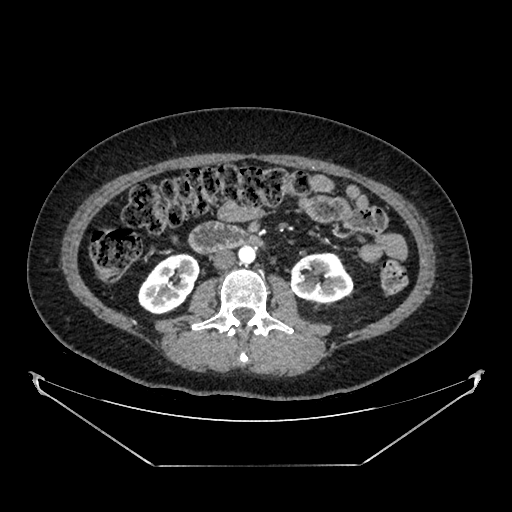
Abdominal CT with intravenous contrast, arterial phase, axial plane, 100 kVp, kernel SOFT. Slice 206/383 from the bottom of the scan; thickness 1.25 mm; pixel size 0.898 mm.
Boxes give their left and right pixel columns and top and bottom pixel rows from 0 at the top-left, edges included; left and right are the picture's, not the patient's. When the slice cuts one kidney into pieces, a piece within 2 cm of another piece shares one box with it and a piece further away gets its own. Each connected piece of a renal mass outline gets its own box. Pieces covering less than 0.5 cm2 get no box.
Two kidney boxes on this slice; by box centre, from the image's left to its right: (1) Box with left 138, top 253, right 200, bottom 314: right kidney (outlined area 2,656 px, about 21.4 cm2). (2) Left kidney, the box with left 290, top 252, right 353, bottom 302 (outlined area 2,498 px, about 20.2 cm2). No renal mass is outlined on this slice.